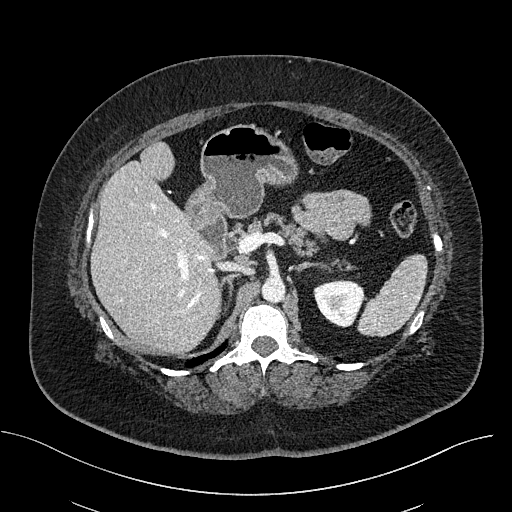
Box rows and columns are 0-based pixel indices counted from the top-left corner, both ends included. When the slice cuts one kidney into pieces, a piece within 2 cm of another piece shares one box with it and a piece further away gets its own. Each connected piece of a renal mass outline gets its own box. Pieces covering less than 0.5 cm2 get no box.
This is axial slice 335 of 470 (slice 1 is the lowest) of an abdominal CT with contrast; each pixel is 0.824 mm and the slice is 2.00 mm thick. Box rows 279–327, columns 313–364: left kidney (outlined area 1,816 px, about 12.3 cm2). No renal mass outline on this slice.
Scan settings: 100 kVp, I40f reconstruction kernel.